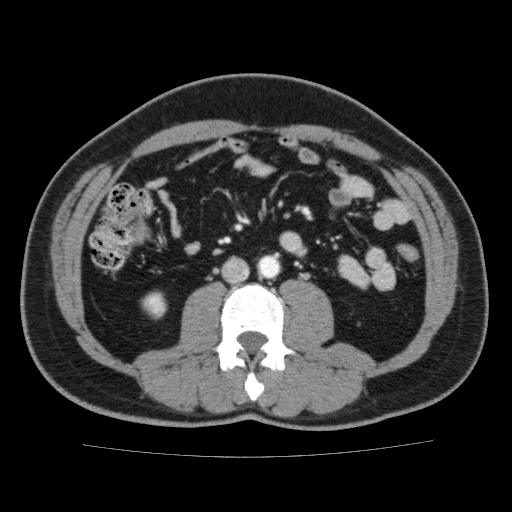
Contrast-enhanced abdominal CT, axial slice 85 of 159 (counted from the lowest slice); tube voltage 120 kVp, convolution kernel FC13; slices 3.00 mm thick, 0.668 mm per pixel.
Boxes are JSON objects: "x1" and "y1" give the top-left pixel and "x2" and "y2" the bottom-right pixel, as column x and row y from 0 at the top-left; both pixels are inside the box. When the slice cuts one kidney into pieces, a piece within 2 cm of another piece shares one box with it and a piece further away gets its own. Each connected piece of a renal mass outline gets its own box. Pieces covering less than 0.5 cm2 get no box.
Right kidney, box {"x1": 141, "y1": 290, "x2": 167, "y2": 319} (outlined area 570 px, about 2.5 cm2). No renal mass outline on this slice.